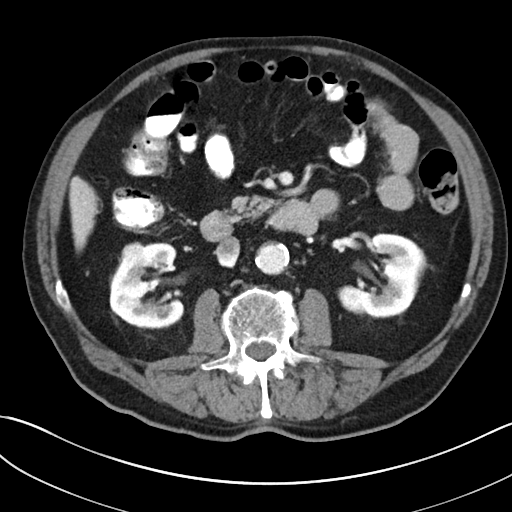
Contrast-enhanced abdominal CT, axial slice 124 of 269 (counted from the lowest slice); tube voltage 100 kVp, convolution kernel I30f; slices 5.00 mm thick, 0.732 mm per pixel.
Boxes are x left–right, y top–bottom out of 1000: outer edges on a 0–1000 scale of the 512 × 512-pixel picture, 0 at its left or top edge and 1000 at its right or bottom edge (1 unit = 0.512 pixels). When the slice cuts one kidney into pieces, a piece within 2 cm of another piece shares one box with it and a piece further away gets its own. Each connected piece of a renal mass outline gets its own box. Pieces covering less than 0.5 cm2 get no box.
Two kidney boxes and one renal mass box on this slice; by box centre, from the image's left to its right: (1) Right renal mass at x 236–287, y 473–518 out of 1000 (outlined area 457 px, about 2.5 cm2). (2) Box x 213–361, y 473–641 out of 1000: right kidney (outlined area 4,503 px, about 24.2 cm2). (3) Left kidney, box x 656–838, y 455–623 out of 1000 (outlined area 4,988 px, about 26.8 cm2).